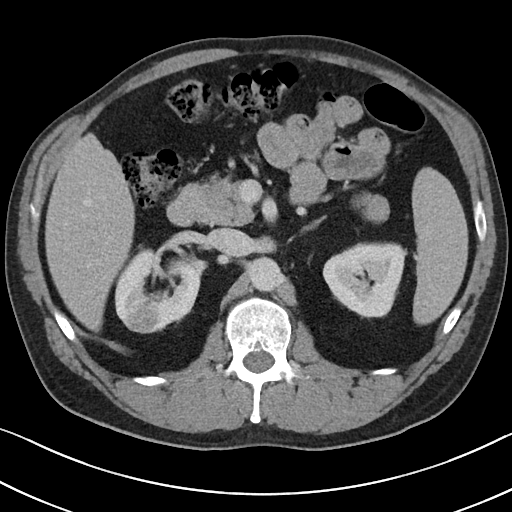
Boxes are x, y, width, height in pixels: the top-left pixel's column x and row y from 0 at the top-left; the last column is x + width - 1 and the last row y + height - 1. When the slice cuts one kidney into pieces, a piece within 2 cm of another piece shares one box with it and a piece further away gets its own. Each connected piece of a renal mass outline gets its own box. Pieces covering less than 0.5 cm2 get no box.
This is axial slice 69 of 101 (slice 1 is the lowest) of an abdominal CT with contrast; each pixel is 0.684 mm and the slice is 5.00 mm thick. Two kidney boxes and one renal mass box on this slice; by box centre, from the image's left to its right: (1) Right renal mass at x 122, y 299, width 40, height 35 (outlined area 1,014 px, about 4.7 cm2). (2) Right kidney at x 114, y 247, width 87, height 85 (outlined area 4,293 px, about 20.1 cm2). (3) Left kidney, box x 322, y 242, width 85, height 77 (outlined area 4,763 px, about 22.3 cm2).
Tube voltage 100 kVp; convolution kernel I40f.